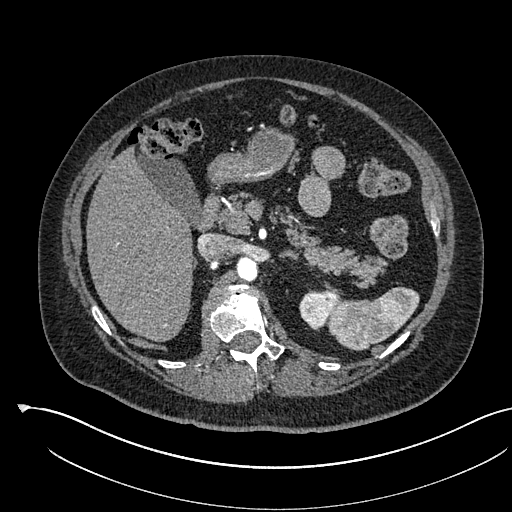
Abdominal CT with intravenous contrast, arterial phase, axial plane, 120 kVp, kernel I30f. Slice 379/541 from the bottom of the scan; thickness 1.00 mm; pixel size 0.834 mm.
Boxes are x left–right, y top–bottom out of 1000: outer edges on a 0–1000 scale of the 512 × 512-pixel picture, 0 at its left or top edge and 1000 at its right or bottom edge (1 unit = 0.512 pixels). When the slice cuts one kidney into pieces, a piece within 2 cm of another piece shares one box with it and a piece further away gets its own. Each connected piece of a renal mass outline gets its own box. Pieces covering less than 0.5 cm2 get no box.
Box x 584–662, y 563–646 out of 1000: left kidney (outlined area 1,111 px, about 7.7 cm2). This slice carries no renal mass outline.